Contrast-enhanced abdominal CT, axial slice 39 of 55 (counted from the lowest slice); tube voltage 120 kVp, convolution kernel B30f; slices 5.00 mm thick, 0.908 mm per pixel.
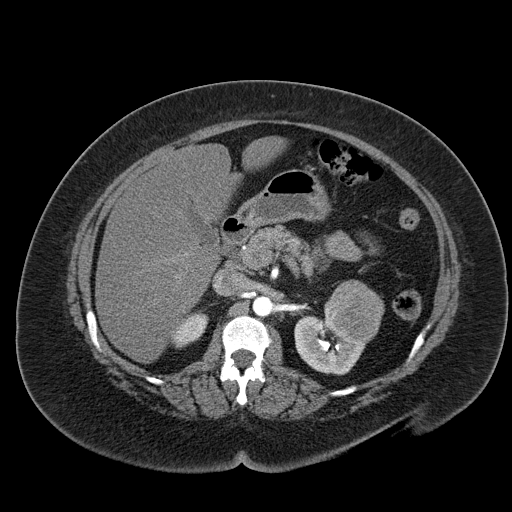
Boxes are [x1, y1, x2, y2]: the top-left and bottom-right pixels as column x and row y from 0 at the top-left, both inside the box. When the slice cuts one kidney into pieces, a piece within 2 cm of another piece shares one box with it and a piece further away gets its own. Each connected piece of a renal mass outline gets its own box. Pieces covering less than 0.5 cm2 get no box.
Boxed on this slice (two kidney boxes and one renal mass box), listed by box centre from the image's left to its right: (1) Right kidney at [170, 311, 208, 348] (outlined area 891 px, about 7.3 cm2). (2) Left kidney, box [294, 316, 365, 375] (outlined area 2,579 px, about 21.3 cm2). (3) Left renal mass at [324, 279, 384, 345] (outlined area 2,946 px, about 24.3 cm2).